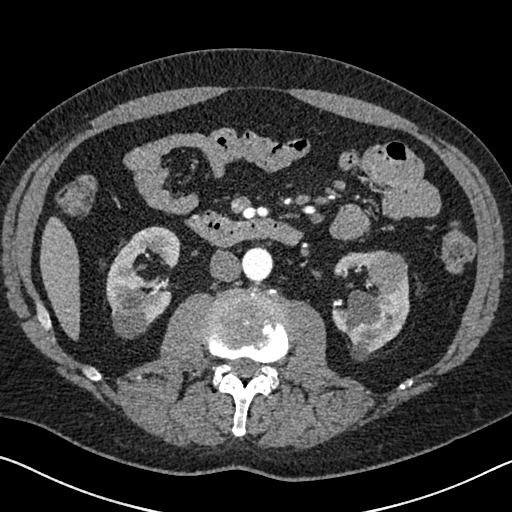
Axial slice 346 of 626 of a contrast-enhanced abdominal CT in the arterial phase (slice 1 is the lowest), 120 kVp, kernel I30f; 1.00 mm slice thickness and 0.703 mm pixels.
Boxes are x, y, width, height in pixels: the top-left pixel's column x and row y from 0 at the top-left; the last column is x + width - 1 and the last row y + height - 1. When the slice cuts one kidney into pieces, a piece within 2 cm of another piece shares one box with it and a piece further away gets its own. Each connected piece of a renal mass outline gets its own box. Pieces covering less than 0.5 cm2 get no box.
Three boxes on this slice (two kidney boxes and one renal mass box), listed by box centre from the image's left to its right. (1) Right kidney at x 106, y 226, width 74, height 113 (outlined area 5,259 px, about 26.0 cm2). (2) Left kidney, box x 331, y 251, width 79, height 110 (outlined area 4,519 px, about 22.3 cm2). (3) Left renal mass, box x 366, y 250, width 42, height 45 (outlined area 1,361 px, about 6.7 cm2).